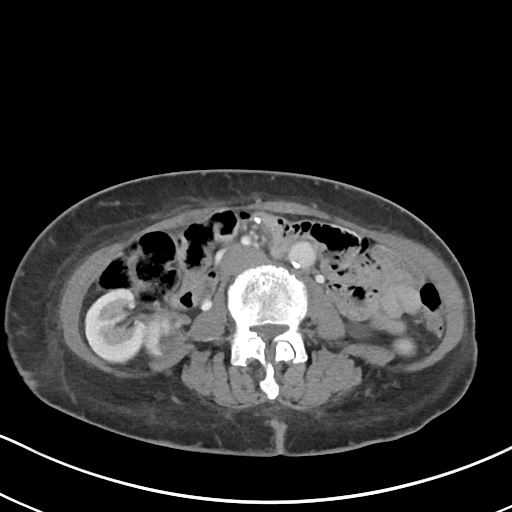
Axial slice 48 of 80 of a contrast-enhanced abdominal CT in the arterial phase (slice 1 is the lowest), 100 kVp, kernel I40f; 5.00 mm slice thickness and 0.648 mm pixels.
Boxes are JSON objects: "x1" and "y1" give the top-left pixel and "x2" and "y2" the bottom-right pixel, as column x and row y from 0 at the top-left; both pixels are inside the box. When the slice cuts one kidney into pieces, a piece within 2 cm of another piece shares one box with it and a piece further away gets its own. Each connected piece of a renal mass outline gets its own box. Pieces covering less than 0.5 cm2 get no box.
Three boxes on this slice (two kidney boxes and one renal mass box), listed by box centre from the image's left to its right. (1) Right kidney at {"x1": 86, "y1": 290, "x2": 164, "y2": 361} (outlined area 3,698 px, about 15.5 cm2). (2) Box {"x1": 144, "y1": 308, "x2": 183, "y2": 360}: right renal mass (outlined area 1,542 px, about 6.5 cm2). (3) Left kidney at {"x1": 348, "y1": 323, "x2": 413, "y2": 354} (outlined area 485 px, about 2.0 cm2).